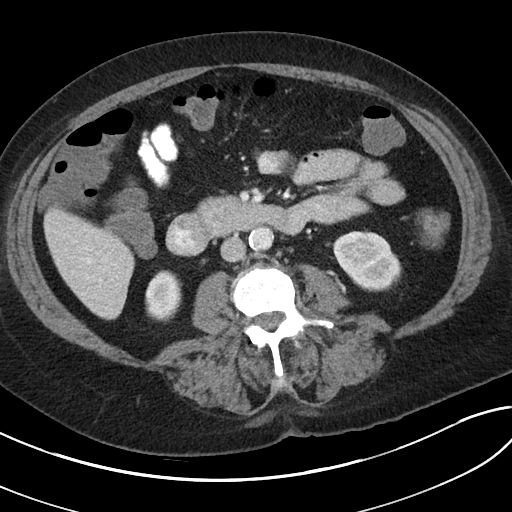
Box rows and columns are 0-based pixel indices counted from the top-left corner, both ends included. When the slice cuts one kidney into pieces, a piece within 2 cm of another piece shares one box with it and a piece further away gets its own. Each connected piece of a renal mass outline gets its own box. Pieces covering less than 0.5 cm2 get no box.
Contrast-enhanced abdominal CT, axial slice 51 of 80 (counted from the lowest slice); 5.00 mm thick, 0.703 mm per pixel. Two kidney boxes on this slice; by box centre, from the image's left to its right: (1) Right kidney, box rows 270–321, columns 145–181 (outlined area 1,526 px, about 7.5 cm2). (2) Left kidney, box rows 230–291, columns 332–401 (outlined area 3,084 px, about 15.2 cm2). No renal mass is outlined on this slice.
Tube voltage 100 kVp; convolution kernel I40f.